One axial slice (162 of 285, counting up from the lowest) of an arterial-phase abdominal CT acquired with 120 kVp, kernel B31f; each pixel is 0.762 mm and the slice is 2.00 mm thick.
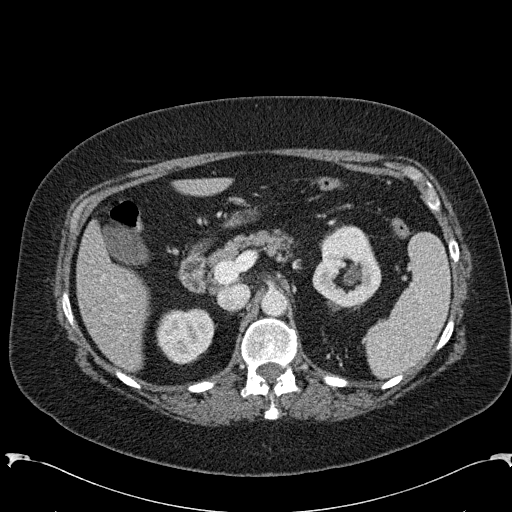
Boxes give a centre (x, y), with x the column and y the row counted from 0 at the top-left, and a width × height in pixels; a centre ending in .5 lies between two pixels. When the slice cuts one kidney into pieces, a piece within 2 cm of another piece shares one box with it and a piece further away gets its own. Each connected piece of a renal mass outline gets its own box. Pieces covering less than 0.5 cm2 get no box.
Two boxes on this slice (two kidney boxes), listed by box centre from the image's left to its right. (1) Right kidney, box centre (185, 336), 59 × 57 pixels (outlined area 2,607 px, about 15.1 cm2). (2) Left kidney, box centre (346.5, 266), 70 × 83 pixels (outlined area 4,120 px, about 23.9 cm2). No renal mass outline on this slice.